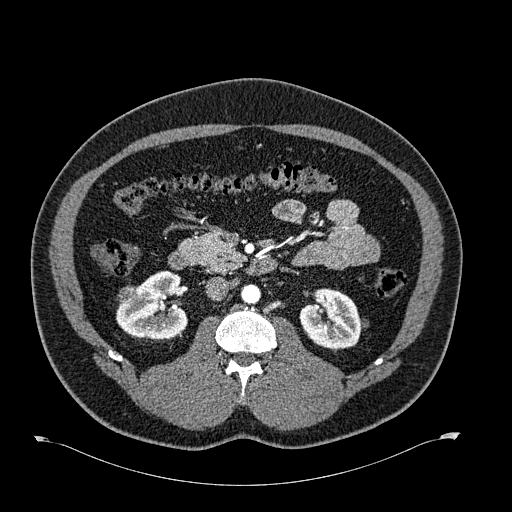
Axial slice 353 of 723 of a contrast-enhanced abdominal CT in the arterial phase (slice 1 is the lowest), 120 kVp, kernel B30f; 1.00 mm slice thickness and 0.895 mm pixels.
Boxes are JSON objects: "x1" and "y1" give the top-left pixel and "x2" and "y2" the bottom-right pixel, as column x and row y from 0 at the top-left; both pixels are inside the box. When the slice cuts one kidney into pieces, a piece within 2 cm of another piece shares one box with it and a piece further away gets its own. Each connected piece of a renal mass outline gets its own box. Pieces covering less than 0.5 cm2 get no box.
Three boxes on this slice (two kidney boxes and one renal mass box), listed by box centre from the image's left to its right. (1) Box {"x1": 117, "y1": 285, "x2": 138, "y2": 304}: right renal mass (outlined area 321 px, about 2.6 cm2). (2) Right kidney, box {"x1": 116, "y1": 270, "x2": 188, "y2": 340} (outlined area 3,546 px, about 28.4 cm2). (3) Box {"x1": 299, "y1": 288, "x2": 368, "y2": 348}: left kidney (outlined area 2,953 px, about 23.6 cm2).